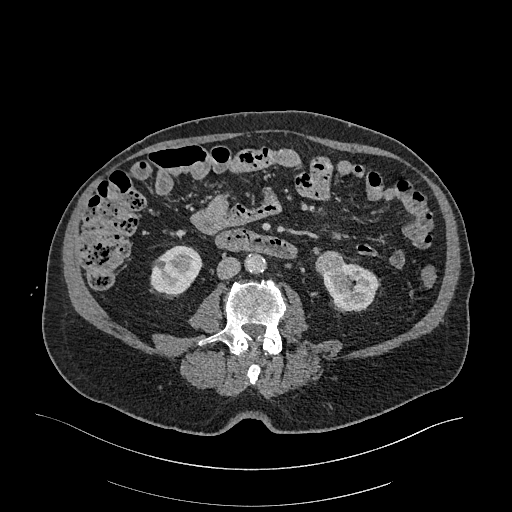
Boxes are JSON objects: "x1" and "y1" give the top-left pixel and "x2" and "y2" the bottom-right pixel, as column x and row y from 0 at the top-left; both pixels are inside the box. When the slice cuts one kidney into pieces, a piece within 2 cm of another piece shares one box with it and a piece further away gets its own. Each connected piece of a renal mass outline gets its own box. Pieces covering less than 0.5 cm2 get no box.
This is axial slice 93 of 470 (slice 1 is the lowest) of an arterial-phase abdominal CT with contrast; each pixel is 0.938 mm and the slice is 1.00 mm thick. Boxed on this slice (two kidney boxes and one renal mass box), listed by box centre from the image's left to its right: (1) Right kidney at {"x1": 150, "y1": 245, "x2": 202, "y2": 294} (outlined area 1,967 px, about 17.3 cm2). (2) Box {"x1": 315, "y1": 251, "x2": 343, "y2": 277}: left renal mass (outlined area 607 px, about 5.3 cm2). (3) Left kidney at {"x1": 321, "y1": 261, "x2": 378, "y2": 311} (outlined area 1,922 px, about 16.9 cm2).
Scan settings: 120 kVp, I26f reconstruction kernel.